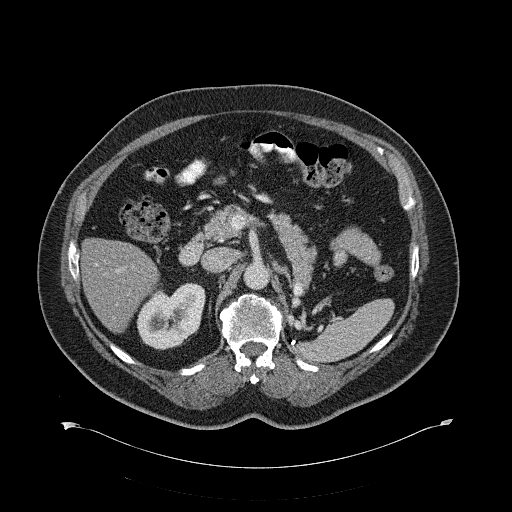
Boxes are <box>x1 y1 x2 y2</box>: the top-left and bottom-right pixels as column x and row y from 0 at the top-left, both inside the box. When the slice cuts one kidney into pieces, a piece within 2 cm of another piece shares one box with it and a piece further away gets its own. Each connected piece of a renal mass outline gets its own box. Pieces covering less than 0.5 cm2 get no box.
This is axial slice 401 of 734 (slice 1 is the lowest) of an abdominal CT with contrast; each pixel is 0.971 mm and the slice is 2.00 mm thick. Right kidney: <box>136 282 205 349</box> (outlined area 3,386 px, about 31.9 cm2). No renal mass outline on this slice.
Acquired at 120 kVp and reconstructed with the B31f kernel.